Axial slice 13 of 94 of a contrast-enhanced abdominal CT (slice 1 is the lowest), 120 kVp, kernel B41f; 3.00 mm slice thickness and 0.977 mm pixels.
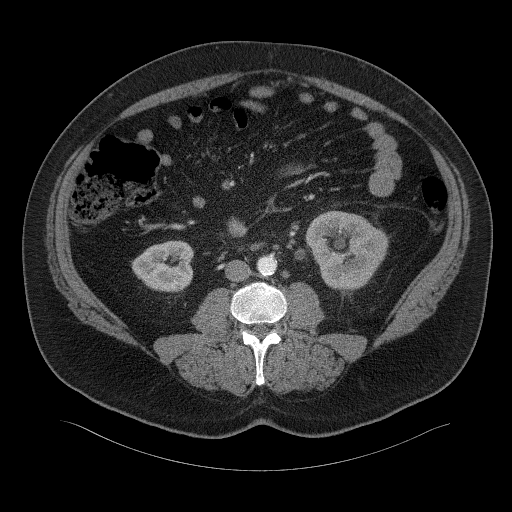
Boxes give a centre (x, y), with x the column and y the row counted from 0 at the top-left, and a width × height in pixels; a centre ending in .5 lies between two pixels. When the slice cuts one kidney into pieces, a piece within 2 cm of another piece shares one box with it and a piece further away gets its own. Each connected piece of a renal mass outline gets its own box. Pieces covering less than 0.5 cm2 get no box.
Two boxes on this slice (two kidney boxes), listed by box centre from the image's left to its right. (1) Right kidney in a box with centre (162, 266), 63 × 53 pixels (outlined area 2,504 px, about 23.9 cm2). (2) Left kidney, box centre (346.5, 251.5), 84 × 84 pixels (outlined area 4,879 px, about 46.5 cm2). This slice carries no renal mass outline.